One axial slice (385 of 738, counting up from the lowest) of an arterial-phase abdominal CT acquired with 120 kVp, kernel I30f; each pixel is 0.789 mm and the slice is 1.00 mm thick.
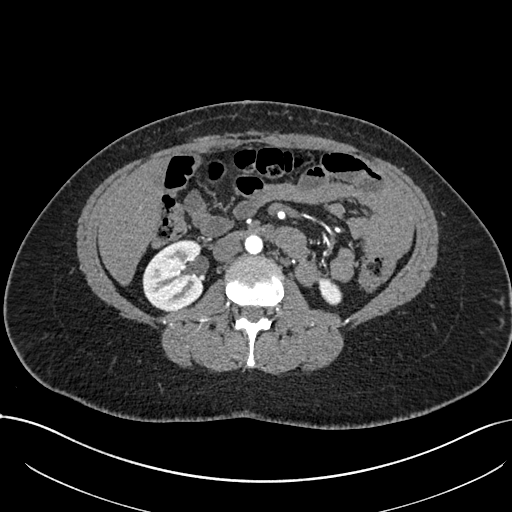
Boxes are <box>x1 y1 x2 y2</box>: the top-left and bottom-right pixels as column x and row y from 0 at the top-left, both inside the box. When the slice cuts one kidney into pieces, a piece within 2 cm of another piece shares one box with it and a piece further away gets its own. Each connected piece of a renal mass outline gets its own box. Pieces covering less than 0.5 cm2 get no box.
Boxed on this slice (two kidney boxes), listed by box centre from the image's left to its right: (1) Right kidney: <box>142 239 204 311</box> (outlined area 3,502 px, about 21.8 cm2). (2) At <box>319 278 342 305</box>: left kidney (outlined area 484 px, about 3.0 cm2). No renal mass outline on this slice.